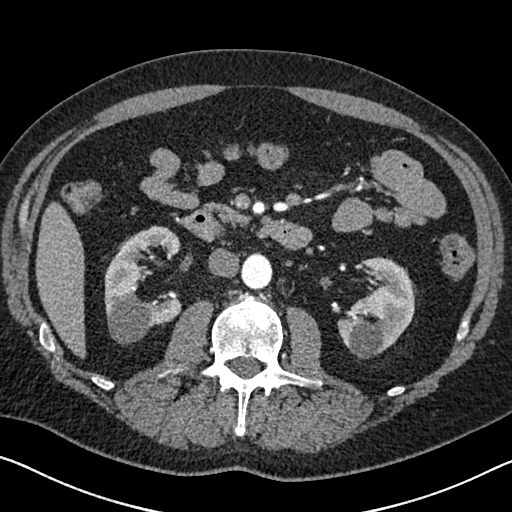
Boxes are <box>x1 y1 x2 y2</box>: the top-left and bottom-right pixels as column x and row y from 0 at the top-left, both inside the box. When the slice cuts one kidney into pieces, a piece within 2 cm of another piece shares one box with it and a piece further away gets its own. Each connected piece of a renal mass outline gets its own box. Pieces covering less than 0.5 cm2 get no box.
This is axial slice 369 of 626 (slice 1 is the lowest) of an arterial-phase abdominal CT with contrast; each pixel is 0.703 mm and the slice is 1.00 mm thick. Two boxes on this slice (two kidney boxes), listed by box centre from the image's left to its right. (1) Right kidney at <box>104 225 181 345</box> (outlined area 5,695 px, about 28.2 cm2). (2) Left kidney at <box>337 257 415 358</box> (outlined area 5,129 px, about 25.4 cm2). This slice carries no renal mass outline.
Acquired at 120 kVp and reconstructed with the I30f kernel.